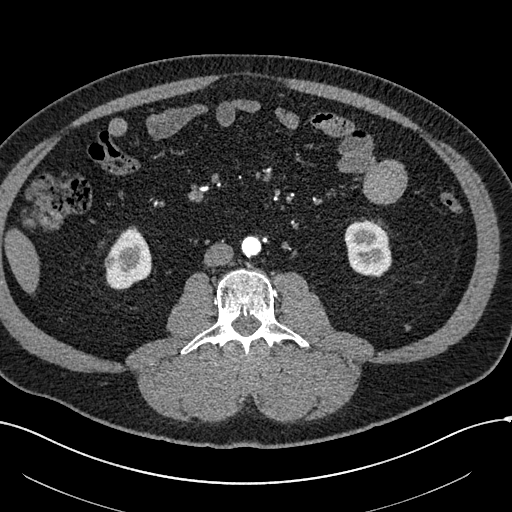
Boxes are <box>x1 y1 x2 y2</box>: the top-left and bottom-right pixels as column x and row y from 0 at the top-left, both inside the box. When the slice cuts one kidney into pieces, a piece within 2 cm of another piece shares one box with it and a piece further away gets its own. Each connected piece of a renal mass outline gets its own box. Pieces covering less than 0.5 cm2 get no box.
Arterial-phase contrast-enhanced abdominal CT, axial slice 230 of 602 (counted from the lowest slice); 1.00 mm thick, 0.799 mm per pixel. Three boxes on this slice (two kidney boxes and one renal mass box), listed by box centre from the image's left to its right. (1) At <box>104 253 118 269</box>: right renal mass (outlined area 186 px, about 1.2 cm2). (2) At <box>105 226 151 289</box>: right kidney (outlined area 2,001 px, about 12.8 cm2). (3) Left kidney at <box>344 217 392 277</box> (outlined area 2,216 px, about 14.1 cm2).
Scan settings: 120 kVp, I30f reconstruction kernel.